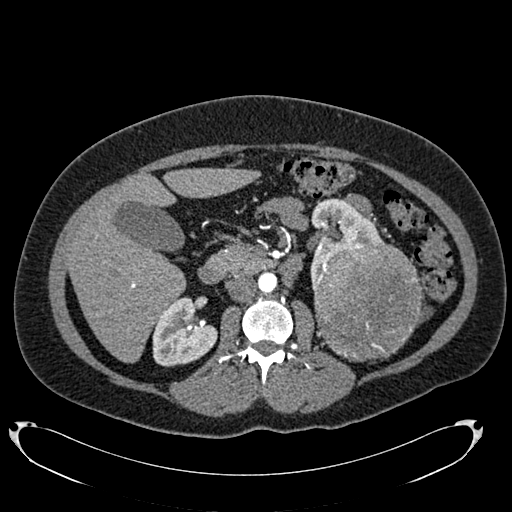
Abdominal CT with intravenous contrast, arterial phase, axial plane, 120 kVp, kernel B20f. Slice 426/634 from the bottom of the scan; thickness 1.00 mm; pixel size 0.838 mm.
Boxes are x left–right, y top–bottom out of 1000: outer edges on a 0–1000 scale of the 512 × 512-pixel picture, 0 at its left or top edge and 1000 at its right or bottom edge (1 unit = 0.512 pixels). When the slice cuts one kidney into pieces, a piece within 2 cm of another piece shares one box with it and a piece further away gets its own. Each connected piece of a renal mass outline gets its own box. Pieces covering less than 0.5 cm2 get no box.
Three boxes on this slice (two kidney boxes and one renal mass box), listed by box centre from the image's left to its right. (1) Box x 297–426, y 580–717 out of 1000: right kidney (outlined area 3,265 px, about 22.9 cm2). (2) Box x 604–752, y 387–557 out of 1000: left kidney (outlined area 3,037 px, about 21.3 cm2). (3) Box x 609–826, y 471–707 out of 1000: left renal mass (outlined area 10,526 px, about 73.9 cm2).